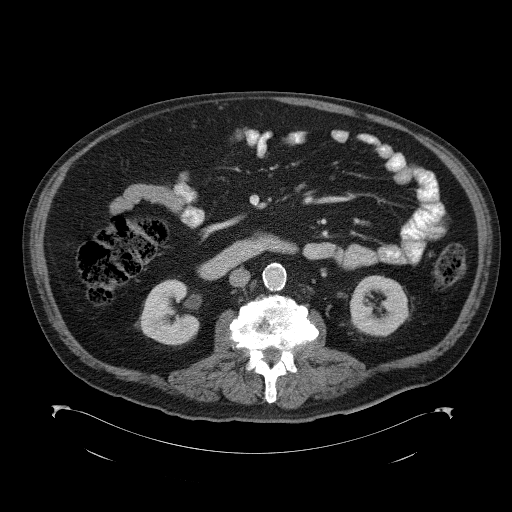
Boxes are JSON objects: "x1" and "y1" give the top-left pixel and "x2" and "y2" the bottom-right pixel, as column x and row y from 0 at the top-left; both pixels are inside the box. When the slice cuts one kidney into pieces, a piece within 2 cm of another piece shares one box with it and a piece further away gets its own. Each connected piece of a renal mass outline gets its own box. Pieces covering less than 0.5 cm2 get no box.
This is axial slice 53 of 98 (slice 1 is the lowest) of an abdominal CT with contrast; each pixel is 0.965 mm and the slice is 5.00 mm thick. Boxed on this slice (two kidney boxes), listed by box centre from the image's left to its right: (1) Right kidney, box {"x1": 139, "y1": 279, "x2": 199, "y2": 345} (outlined area 2,903 px, about 27.0 cm2). (2) Left kidney at {"x1": 350, "y1": 275, "x2": 409, "y2": 336} (outlined area 2,801 px, about 26.1 cm2). This slice carries no renal mass outline.
Tube voltage 120 kVp; convolution kernel B41f.